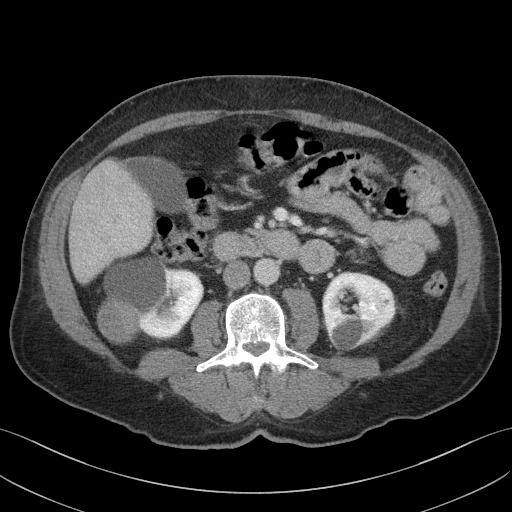
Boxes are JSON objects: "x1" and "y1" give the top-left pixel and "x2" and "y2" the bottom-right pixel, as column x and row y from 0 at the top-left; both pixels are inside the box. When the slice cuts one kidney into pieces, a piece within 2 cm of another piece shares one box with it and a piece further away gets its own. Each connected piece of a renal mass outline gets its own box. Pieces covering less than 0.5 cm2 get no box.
This is axial slice 62 of 103 (slice 1 is the lowest) of an abdominal CT with contrast; each pixel is 0.742 mm and the slice is 4.00 mm thick. Boxed on this slice (two kidney boxes), listed by box centre from the image's left to its right: (1) Right kidney at {"x1": 97, "y1": 256, "x2": 203, "y2": 342} (outlined area 6,942 px, about 38.2 cm2). (2) Box {"x1": 322, "y1": 272, "x2": 395, "y2": 350}: left kidney (outlined area 4,399 px, about 24.2 cm2). This slice carries no renal mass outline.
Scan settings: 100 kVp, I41f reconstruction kernel.